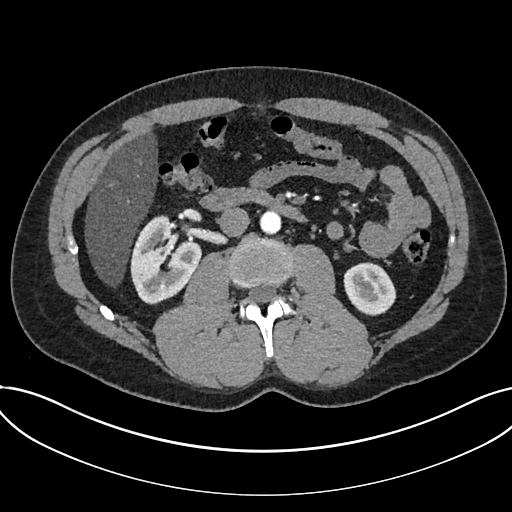
Axial slice 385 of 735 of a contrast-enhanced abdominal CT in the arterial phase (slice 1 is the lowest), 120 kVp, kernel I30f; 1.00 mm slice thickness and 0.789 mm pixels.
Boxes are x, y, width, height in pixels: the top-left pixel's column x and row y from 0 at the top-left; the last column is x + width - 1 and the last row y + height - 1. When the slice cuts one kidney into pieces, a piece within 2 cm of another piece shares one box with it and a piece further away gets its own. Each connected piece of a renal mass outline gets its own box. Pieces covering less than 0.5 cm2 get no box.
Two boxes on this slice (two kidney boxes), listed by box centre from the image's left to its right. (1) Kidney at x 130, y 215, width 72, height 90 (outlined area 4,400 px, about 27.4 cm2). (2) Box x 343, y 262, width 54, height 54: kidney (outlined area 2,161 px, about 13.5 cm2). This slice carries no renal mass outline.